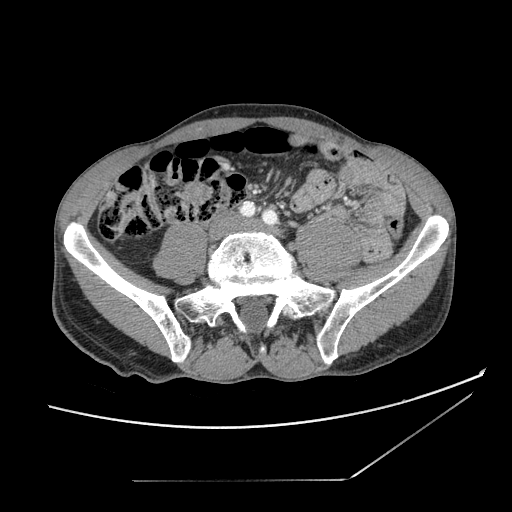
Axial slice 24 of 121 of a contrast-enhanced abdominal CT (slice 1 is the lowest), 120 kVp, kernel STANDARD; 2.50 mm slice thickness and 0.742 mm pixels.
Outside the outlined region: no kidney outline and no renal mass outline on this slice. The scan's outlines cover only kidneys and renal masses; no other organ is outlined.